Abdominal CT with intravenous contrast, arterial phase, axial plane, 100 kVp, kernel I40f. Slice 58/89 from the bottom of the scan; thickness 5.00 mm; pixel size 0.885 mm.
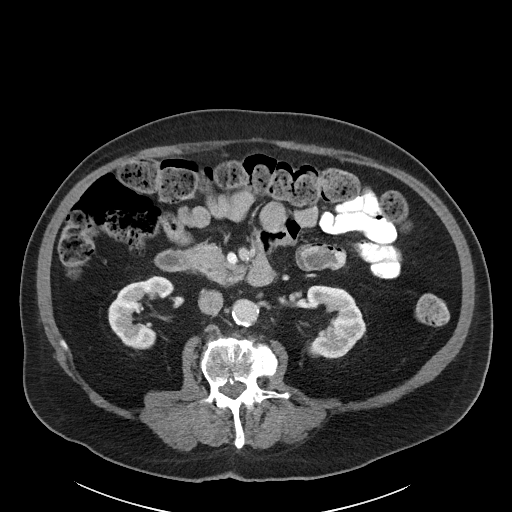
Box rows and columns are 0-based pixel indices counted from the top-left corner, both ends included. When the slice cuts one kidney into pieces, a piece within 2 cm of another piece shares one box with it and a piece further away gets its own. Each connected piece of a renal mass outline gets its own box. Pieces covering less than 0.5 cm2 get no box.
Three boxes on this slice (two kidney boxes and one renal mass box), listed by box centre from the image's left to its right. (1) Box rows 275–349, columns 108–174: right kidney (outlined area 2,838 px, about 22.2 cm2). (2) Box rows 344–356, columns 306–320: left renal mass (outlined area 144 px, about 1.1 cm2). (3) Box rows 285–358, columns 306–366: left kidney (outlined area 2,871 px, about 22.5 cm2).